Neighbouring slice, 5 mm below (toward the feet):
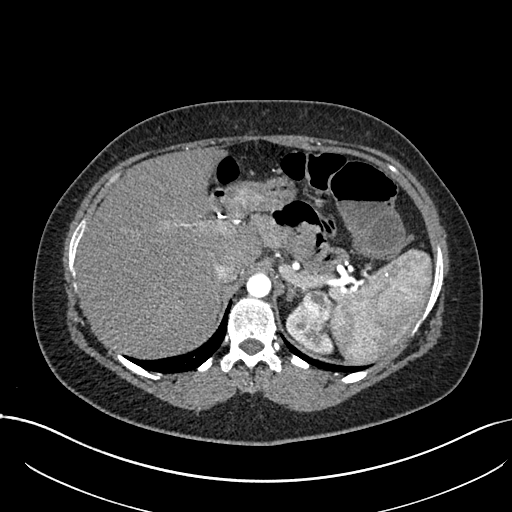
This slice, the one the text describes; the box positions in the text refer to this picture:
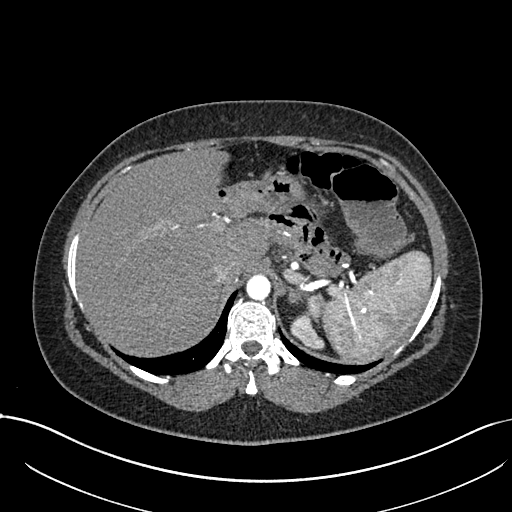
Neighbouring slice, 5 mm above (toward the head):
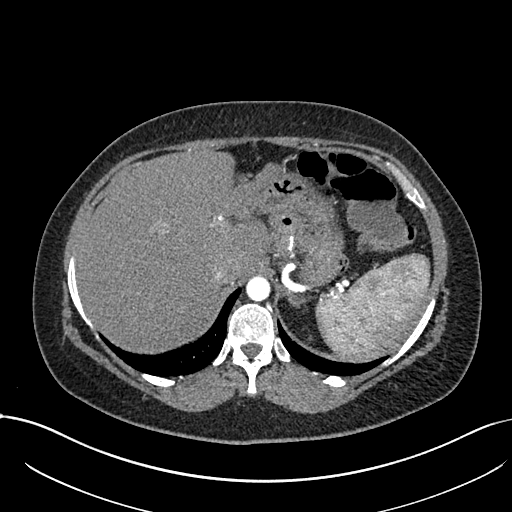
Arterial-phase contrast-enhanced abdominal CT, axial slice 572 of 738 (counted from the lowest slice); tube voltage 120 kVp, convolution kernel I30f; slices 1.00 mm thick, 0.789 mm per pixel.
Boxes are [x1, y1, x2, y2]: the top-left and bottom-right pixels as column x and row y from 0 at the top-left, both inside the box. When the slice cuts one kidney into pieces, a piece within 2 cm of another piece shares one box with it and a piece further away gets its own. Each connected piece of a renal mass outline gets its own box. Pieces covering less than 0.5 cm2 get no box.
Two boxes on this slice (one kidney box and one renal mass box), listed by box centre from the image's left to its right. (1) Box [290, 315, 324, 350]: left kidney (outlined area 676 px, about 4.2 cm2). (2) Box [306, 293, 325, 320]: left renal mass (outlined area 398 px, about 2.5 cm2). This slice lies near the end of the left renal mass toward the head; the slices 5 mm below and 5 mm above it are shown too, and the boxes mark positions on this slice only.